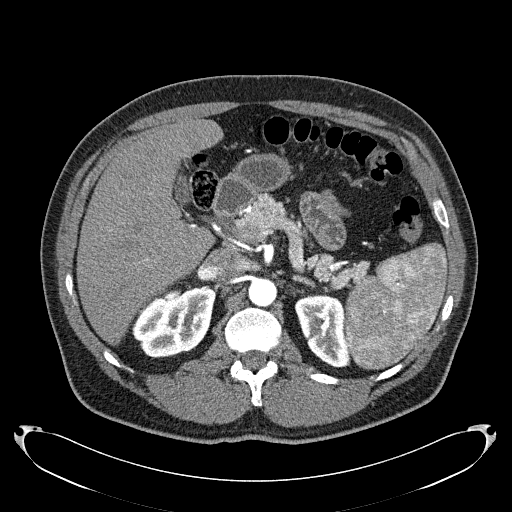
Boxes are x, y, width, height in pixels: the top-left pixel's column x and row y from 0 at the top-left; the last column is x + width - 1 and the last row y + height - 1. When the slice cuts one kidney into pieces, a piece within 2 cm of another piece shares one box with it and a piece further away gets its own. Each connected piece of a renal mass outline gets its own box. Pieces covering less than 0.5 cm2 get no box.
This is axial slice 151 of 279 (slice 1 is the lowest) of an arterial-phase abdominal CT with contrast; each pixel is 0.824 mm and the slice is 2.00 mm thick. Two boxes on this slice (two kidney boxes), listed by box centre from the image's left to its right. (1) Box x 132, y 285, width 85, height 73: right kidney (outlined area 4,386 px, about 29.8 cm2). (2) Box x 294, y 294, width 57, height 74: left kidney (outlined area 2,885 px, about 19.6 cm2). No renal mass outline on this slice.
Acquired at 120 kVp and reconstructed with the B31f kernel.